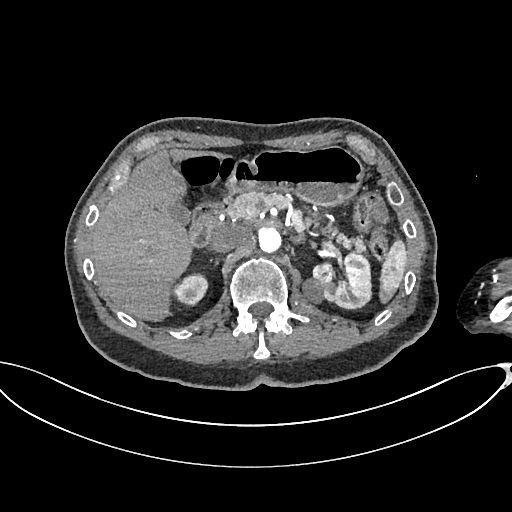
Axial slice 451 of 665 of a contrast-enhanced abdominal CT in the arterial phase (slice 1 is the lowest), 100 kVp, kernel I26f; 1.00 mm slice thickness and 0.828 mm pixels.
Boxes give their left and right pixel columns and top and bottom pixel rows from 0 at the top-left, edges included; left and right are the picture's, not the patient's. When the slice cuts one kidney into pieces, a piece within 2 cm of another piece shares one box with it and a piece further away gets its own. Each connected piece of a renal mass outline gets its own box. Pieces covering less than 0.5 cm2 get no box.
Two kidney boxes and one renal mass box on this slice; by box centre, from the image's left to its right: (1) Box with left 173, top 272, right 208, bottom 306: right kidney (outlined area 883 px, about 6.1 cm2). (2) Left renal mass in the box with left 302, top 277, right 323, bottom 303 (outlined area 437 px, about 3.0 cm2). (3) Left kidney in the box with left 312, top 251, right 371, bottom 308 (outlined area 2,474 px, about 17.0 cm2).